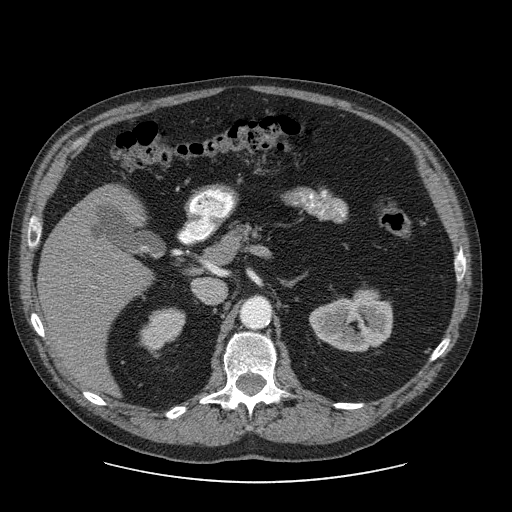
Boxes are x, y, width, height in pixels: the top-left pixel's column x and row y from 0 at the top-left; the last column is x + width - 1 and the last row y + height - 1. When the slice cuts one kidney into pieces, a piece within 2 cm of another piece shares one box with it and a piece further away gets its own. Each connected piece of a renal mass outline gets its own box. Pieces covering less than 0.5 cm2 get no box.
Contrast-enhanced abdominal CT, axial slice 54 of 103 (counted from the lowest slice); 2.50 mm thick, 0.820 mm per pixel. Two boxes on this slice (two kidney boxes), listed by box centre from the image's left to its right. (1) Right kidney, box x 140, y 307, width 46, height 43 (outlined area 1,369 px, about 9.2 cm2). (2) Left kidney at x 309, y 289, width 85, height 63 (outlined area 3,832 px, about 25.8 cm2). No renal mass is outlined on this slice.
Tube voltage 120 kVp; convolution kernel STANDARD.